One axial slice (133 of 262, counting up from the lowest) of an arterial-phase abdominal CT acquired with 120 kVp, kernel STANDARD; each pixel is 0.703 mm and the slice is 2.50 mm thick.
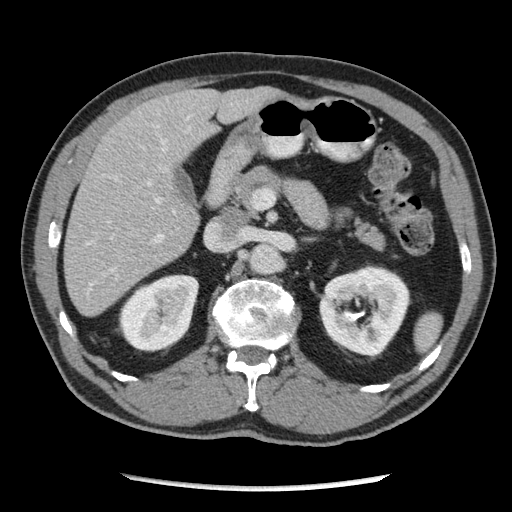
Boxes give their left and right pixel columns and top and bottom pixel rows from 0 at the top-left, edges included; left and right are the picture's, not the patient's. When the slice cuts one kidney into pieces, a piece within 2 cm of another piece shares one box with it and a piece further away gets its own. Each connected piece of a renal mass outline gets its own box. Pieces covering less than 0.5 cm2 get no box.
Two kidney boxes on this slice; by box centre, from the image's left to its right: (1) Right kidney, the box with left 118, top 274, right 199, bottom 352 (outlined area 4,692 px, about 23.2 cm2). (2) Left kidney in the box with left 319, top 264, right 410, bottom 356 (outlined area 6,271 px, about 31.0 cm2). No renal mass outline on this slice.